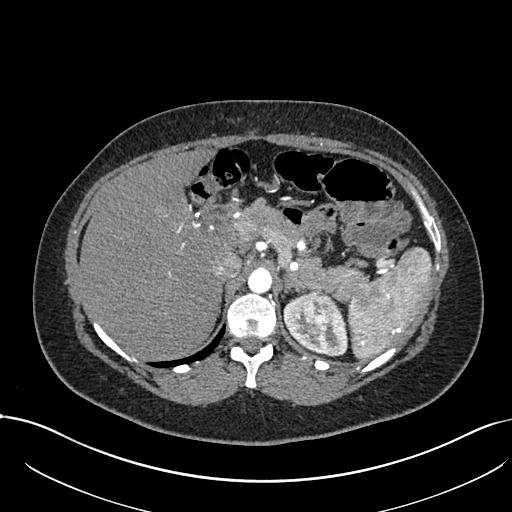
One axial slice (538 of 738, counting up from the lowest) of an arterial-phase abdominal CT acquired with 120 kVp, kernel I30f; each pixel is 0.789 mm and the slice is 1.00 mm thick.
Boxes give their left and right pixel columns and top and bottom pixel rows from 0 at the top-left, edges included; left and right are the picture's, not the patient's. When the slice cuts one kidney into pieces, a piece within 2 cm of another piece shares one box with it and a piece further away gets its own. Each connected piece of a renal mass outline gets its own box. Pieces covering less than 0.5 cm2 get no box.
Boxed on this slice (one kidney box and one renal mass box), listed by box centre from the image's left to its right: (1) Left kidney, the box with left 283, top 293, right 347, bottom 355 (outlined area 2,058 px, about 12.8 cm2). (2) Left renal mass, the box with left 302, top 291, right 331, bottom 336 (outlined area 1,092 px, about 6.8 cm2).